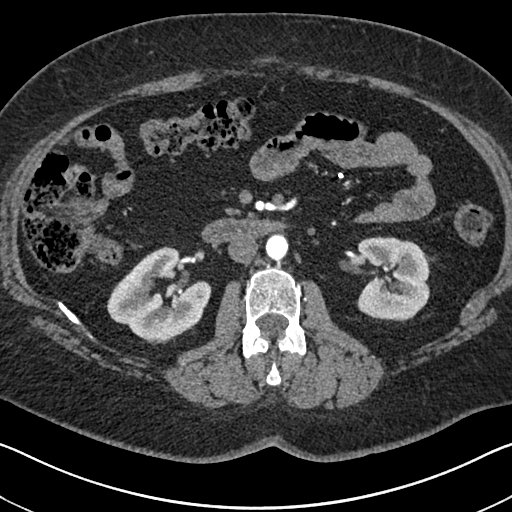
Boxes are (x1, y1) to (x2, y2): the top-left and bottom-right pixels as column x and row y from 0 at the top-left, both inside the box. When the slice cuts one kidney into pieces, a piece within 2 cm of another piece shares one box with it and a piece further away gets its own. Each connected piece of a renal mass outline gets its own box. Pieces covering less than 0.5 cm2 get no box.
Arterial-phase contrast-enhanced abdominal CT, axial slice 380 of 591 (counted from the lowest slice); 1.00 mm thick, 0.703 mm per pixel. Two boxes on this slice (two kidney boxes), listed by box centre from the image's left to its right. (1) Right kidney from (107, 246) to (211, 339) (outlined area 6,265 px, about 31.0 cm2). (2) Left kidney, box (356, 236) to (429, 321) (outlined area 5,136 px, about 25.4 cm2). No renal mass is outlined on this slice.
Acquired at 140 kVp and reconstructed with the I30f kernel.